Arterial-phase contrast-enhanced abdominal CT, axial slice 183 of 285 (counted from the lowest slice); tube voltage 120 kVp, convolution kernel B31f; slices 2.00 mm thick, 0.762 mm per pixel.
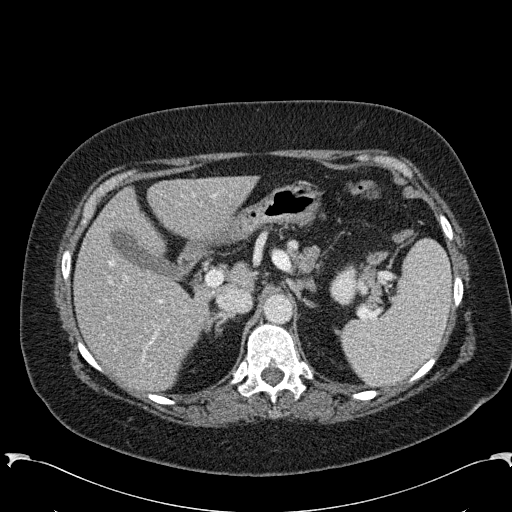
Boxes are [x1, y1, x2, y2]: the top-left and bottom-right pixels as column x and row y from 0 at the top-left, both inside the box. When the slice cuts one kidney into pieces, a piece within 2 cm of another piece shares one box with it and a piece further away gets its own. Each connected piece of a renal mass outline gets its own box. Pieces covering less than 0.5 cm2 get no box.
Left kidney at [329, 264, 357, 306] (outlined area 872 px, about 5.1 cm2). No renal mass outline on this slice.